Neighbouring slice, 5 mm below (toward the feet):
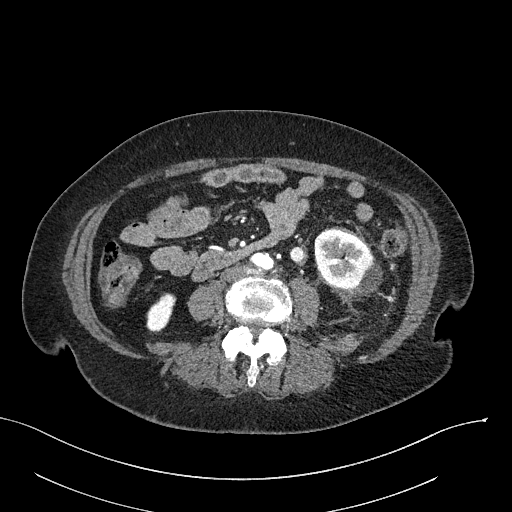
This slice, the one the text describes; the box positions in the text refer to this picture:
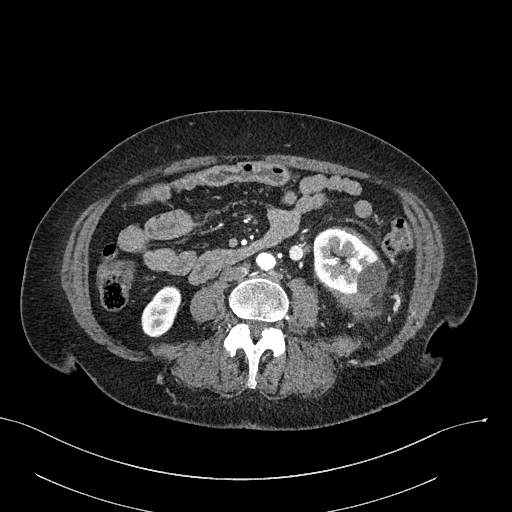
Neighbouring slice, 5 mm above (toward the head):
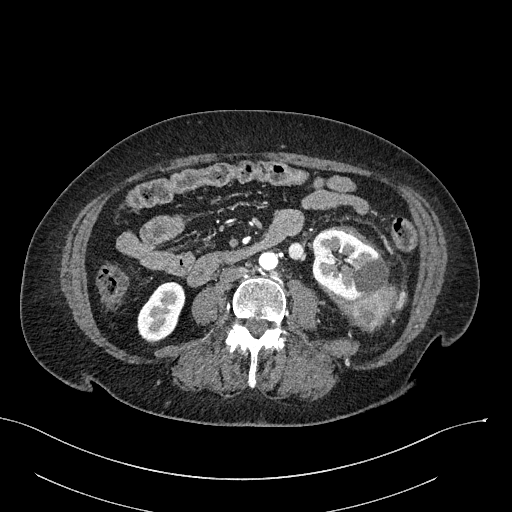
Arterial-phase contrast-enhanced abdominal CT, axial slice 91 of 316 (counted from the lowest slice); tube voltage 100 kVp, convolution kernel I40f; slices 2.00 mm thick, 0.840 mm per pixel.
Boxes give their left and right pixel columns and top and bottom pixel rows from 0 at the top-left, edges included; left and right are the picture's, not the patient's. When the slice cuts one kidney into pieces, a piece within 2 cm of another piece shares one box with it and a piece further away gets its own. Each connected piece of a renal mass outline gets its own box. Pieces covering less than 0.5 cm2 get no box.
Two kidney boxes and one renal mass box on this slice; by box centre, from the image's left to its right: (1) Right kidney in the box with left 141, top 285, right 181, bottom 337 (outlined area 1,475 px, about 10.4 cm2). (2) Left kidney, the box with left 313, top 229, right 387, bottom 309 (outlined area 3,966 px, about 28.0 cm2). (3) Box with left 356, top 301, right 374, bottom 310: left renal mass (outlined area 128 px, about 0.9 cm2). This slice is near the end of the left renal mass toward the feet, so the slices 5 mm below and 5 mm above it are shown as well; the boxes refer to this slice only.